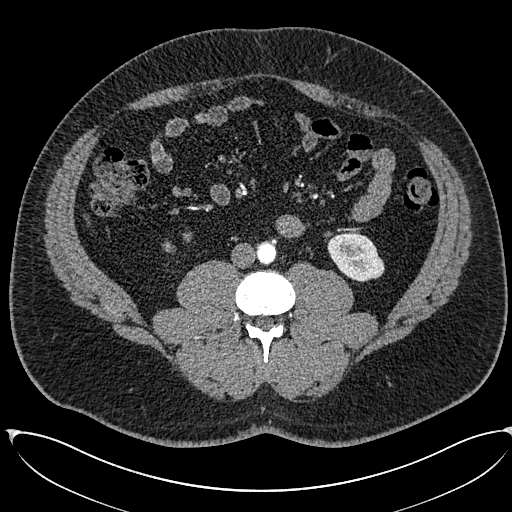
Arterial-phase contrast-enhanced abdominal CT, axial slice 244 of 673 (counted from the lowest slice); tube voltage 120 kVp, convolution kernel I30f; slices 1.00 mm thick, 0.855 mm per pixel.
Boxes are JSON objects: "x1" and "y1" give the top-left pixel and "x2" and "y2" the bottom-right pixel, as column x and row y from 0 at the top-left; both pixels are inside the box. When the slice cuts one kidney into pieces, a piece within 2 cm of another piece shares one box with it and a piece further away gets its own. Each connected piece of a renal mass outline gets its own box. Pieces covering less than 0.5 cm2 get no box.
Two boxes on this slice (two kidney boxes), listed by box centre from the image's left to its right. (1) Right kidney, box {"x1": 162, "y1": 232, "x2": 192, "y2": 252} (outlined area 195 px, about 1.4 cm2). (2) Left kidney, box {"x1": 327, "y1": 232, "x2": 384, "y2": 282} (outlined area 2,080 px, about 15.2 cm2). No renal mass outline on this slice.